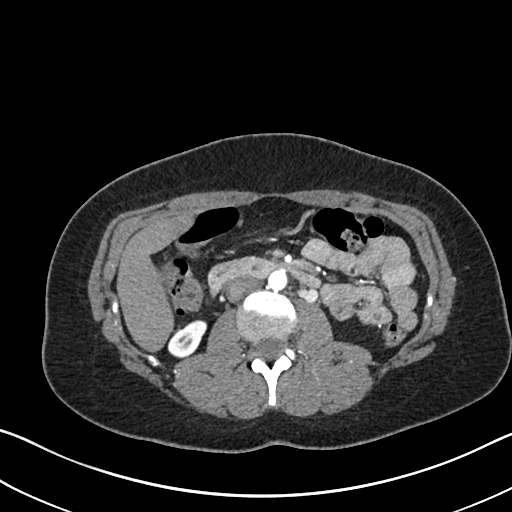
Axial slice 367 of 612 of a contrast-enhanced abdominal CT in the arterial phase (slice 1 is the lowest), 120 kVp, kernel I30f; 1.00 mm slice thickness and 0.703 mm pixels.
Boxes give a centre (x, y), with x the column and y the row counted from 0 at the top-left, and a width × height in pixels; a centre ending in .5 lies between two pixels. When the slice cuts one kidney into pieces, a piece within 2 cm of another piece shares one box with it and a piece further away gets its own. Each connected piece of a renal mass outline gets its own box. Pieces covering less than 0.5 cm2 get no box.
Box centre (187, 338), 41 × 39 pixels: right kidney (outlined area 998 px, about 4.9 cm2). This slice carries no renal mass outline.